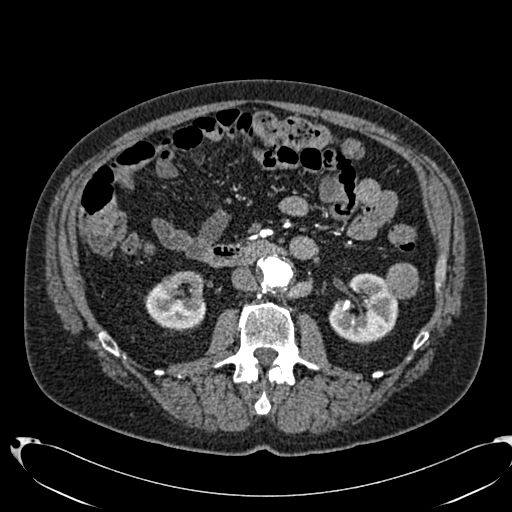
Axial slice 385 of 553 of a contrast-enhanced abdominal CT in the arterial phase (slice 1 is the lowest), 120 kVp, kernel B20f; 1.00 mm slice thickness and 0.773 mm pixels.
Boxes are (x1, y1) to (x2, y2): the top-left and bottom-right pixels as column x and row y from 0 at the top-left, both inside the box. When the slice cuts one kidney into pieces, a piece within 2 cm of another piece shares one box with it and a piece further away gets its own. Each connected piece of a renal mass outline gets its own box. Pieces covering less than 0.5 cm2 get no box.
Boxed on this slice (two kidney boxes and one renal mass box), listed by box centre from the image's left to its right: (1) Right kidney, box (144, 271) to (206, 331) (outlined area 2,794 px, about 16.7 cm2). (2) Left kidney, box (328, 273) to (398, 344) (outlined area 3,495 px, about 20.9 cm2). (3) Box (385, 263) to (418, 299): left renal mass (outlined area 1,007 px, about 6.0 cm2).